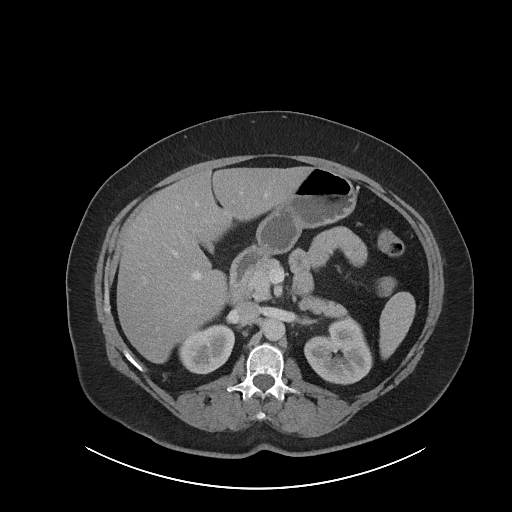
Axial slice 59 of 86 of a contrast-enhanced abdominal CT in the arterial phase (slice 1 is the lowest), 120 kVp, kernel I40f; 5.00 mm slice thickness and 0.977 mm pixels.
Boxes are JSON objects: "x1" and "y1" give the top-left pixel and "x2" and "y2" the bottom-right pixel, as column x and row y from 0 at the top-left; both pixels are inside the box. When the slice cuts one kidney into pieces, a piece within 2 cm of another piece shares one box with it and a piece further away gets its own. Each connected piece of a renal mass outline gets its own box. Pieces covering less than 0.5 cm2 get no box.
Boxed on this slice (two kidney boxes), listed by box centre from the image's left to its right: (1) Box {"x1": 178, "y1": 324, "x2": 234, "y2": 374}: right kidney (outlined area 2,129 px, about 20.3 cm2). (2) Box {"x1": 304, "y1": 319, "x2": 372, "y2": 384}: left kidney (outlined area 3,258 px, about 31.1 cm2). No renal mass is outlined on this slice.